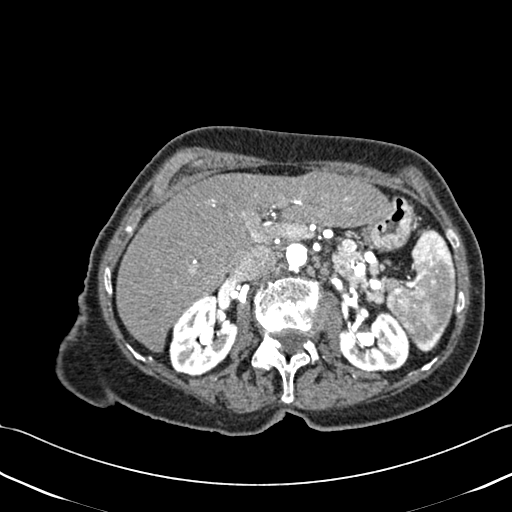
One axial slice (285 of 433, counting up from the lowest) of a contrast-enhanced abdominal CT acquired with 120 kVp, kernel B30f; each pixel is 0.672 mm and the slice is 1.00 mm thick.
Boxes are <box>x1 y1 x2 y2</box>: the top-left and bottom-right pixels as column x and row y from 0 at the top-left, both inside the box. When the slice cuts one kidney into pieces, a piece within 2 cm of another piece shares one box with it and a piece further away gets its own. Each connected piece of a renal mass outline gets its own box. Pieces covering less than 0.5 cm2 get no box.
Boxed on this slice (two kidney boxes), listed by box centre from the image's left to its right: (1) Right kidney at <box>169 294 237 376</box> (outlined area 3,991 px, about 18.0 cm2). (2) At <box>338 310 409 372</box>: left kidney (outlined area 3,280 px, about 14.8 cm2). No renal mass outline on this slice.